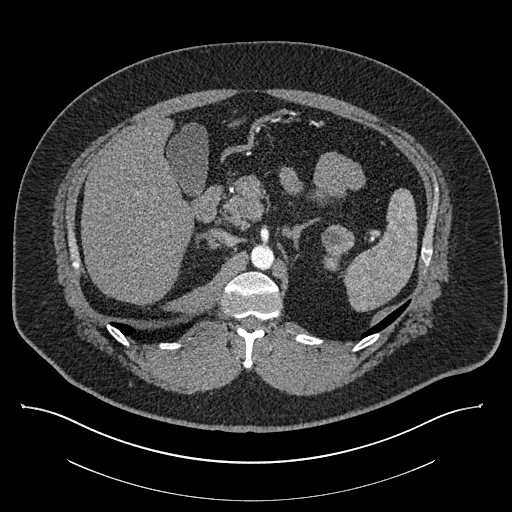
Contrast-enhanced abdominal CT, axial slice 566 of 787 (counted from the lowest slice); tube voltage 140 kVp, convolution kernel I30f; slices 1.00 mm thick, 0.910 mm per pixel.
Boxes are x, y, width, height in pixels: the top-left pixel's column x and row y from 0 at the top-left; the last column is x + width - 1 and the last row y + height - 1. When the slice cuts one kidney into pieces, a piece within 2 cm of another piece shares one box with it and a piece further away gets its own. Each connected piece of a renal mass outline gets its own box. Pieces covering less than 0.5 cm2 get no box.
Two boxes on this slice (one kidney box and one renal mass box), listed by box centre from the image's left to its right. (1) Left kidney, box x 322, y 252, width 20, height 18 (outlined area 241 px, about 2.0 cm2). (2) Left renal mass, box x 321, y 224, width 34, height 31 (outlined area 778 px, about 6.4 cm2).